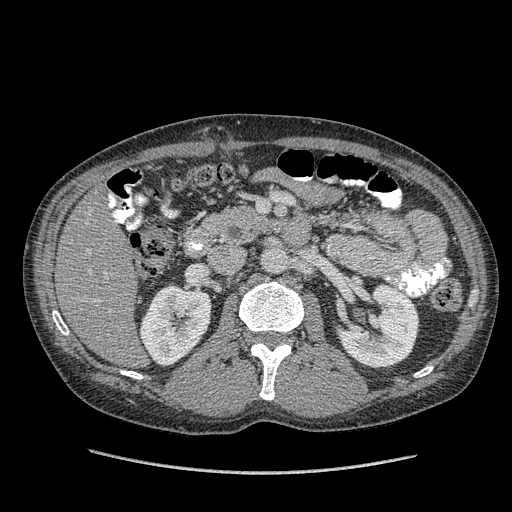
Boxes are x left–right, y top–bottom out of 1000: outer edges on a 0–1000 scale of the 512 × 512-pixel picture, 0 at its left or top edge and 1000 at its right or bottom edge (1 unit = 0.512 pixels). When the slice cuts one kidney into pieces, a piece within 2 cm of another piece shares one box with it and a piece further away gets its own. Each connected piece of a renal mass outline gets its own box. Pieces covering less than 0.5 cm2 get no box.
Slice 218/349 of a contrast-enhanced abdominal CT in the arterial phase, counting up from the lowest; pixel size 0.742 mm, slice thickness 1.25 mm. Two kidney boxes on this slice; by box centre, from the image's left to its right: (1) Box x 268–414, y 555–717 out of 1000: right kidney (outlined area 4,337 px, about 23.9 cm2). (2) Box x 654–820, y 555–721 out of 1000: left kidney (outlined area 4,952 px, about 27.3 cm2). No renal mass outline on this slice.
Scan settings: 120 kVp, STANDARD reconstruction kernel.